Arterial-phase contrast-enhanced abdominal CT, axial slice 558 of 673 (counted from the lowest slice); tube voltage 140 kVp, convolution kernel I30f; slices 1.00 mm thick, 0.957 mm per pixel.
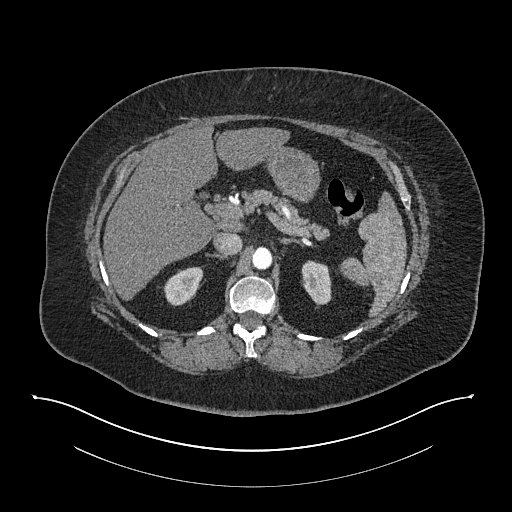
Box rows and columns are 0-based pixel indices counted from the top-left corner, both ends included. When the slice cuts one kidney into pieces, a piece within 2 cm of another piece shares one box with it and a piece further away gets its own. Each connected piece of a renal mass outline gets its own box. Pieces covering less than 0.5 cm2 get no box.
Two kidney boxes on this slice; by box centre, from the image's left to its right: (1) Box rows 267–306, columns 163–203: right kidney (outlined area 1,110 px, about 10.2 cm2). (2) Left kidney, box rows 260–306, columns 301–331 (outlined area 1,084 px, about 9.9 cm2). This slice carries no renal mass outline.